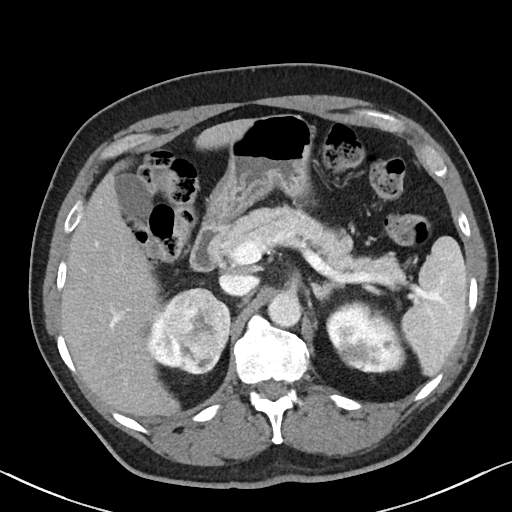
Axial slice 67 of 90 of a contrast-enhanced abdominal CT (slice 1 is the lowest), 100 kVp, kernel I40f; 5.00 mm slice thickness and 0.684 mm pixels.
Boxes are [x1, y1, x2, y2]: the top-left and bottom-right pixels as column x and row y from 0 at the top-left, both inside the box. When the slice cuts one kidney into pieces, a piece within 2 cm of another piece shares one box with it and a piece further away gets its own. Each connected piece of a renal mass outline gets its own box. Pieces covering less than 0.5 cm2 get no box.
Three boxes on this slice (two kidney boxes and one renal mass box), listed by box centre from the image's left to its right. (1) Box [147, 307, 182, 370]: right kidney (outlined area 1,183 px, about 5.5 cm2). (2) Right renal mass, box [161, 287, 229, 374] (outlined area 4,321 px, about 20.2 cm2). (3) Box [326, 300, 405, 373]: left kidney (outlined area 4,310 px, about 20.1 cm2).